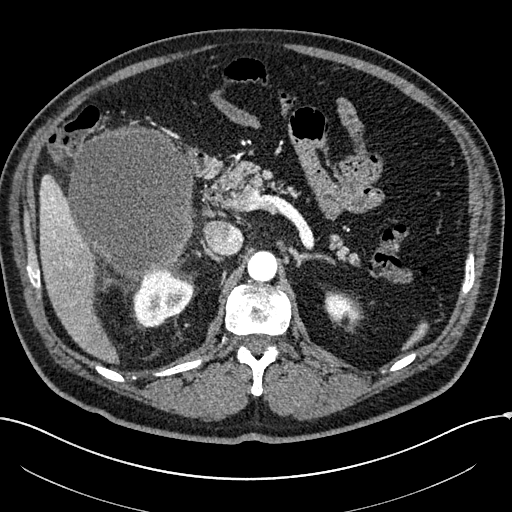
Abdominal CT with intravenous contrast, arterial phase, axial plane, 100 kVp, kernel I30f. Slice 157/304 from the bottom of the scan; thickness 2.00 mm; pixel size 0.809 mm.
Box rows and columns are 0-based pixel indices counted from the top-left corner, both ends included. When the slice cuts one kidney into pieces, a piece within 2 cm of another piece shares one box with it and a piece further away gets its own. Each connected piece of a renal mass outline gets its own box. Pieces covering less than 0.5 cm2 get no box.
Three boxes on this slice (two kidney boxes and one renal mass box), listed by box centre from the image's left to its right. (1) Right renal mass at rows 125–278, columns 66–193 (outlined area 15,302 px, about 100.0 cm2). (2) Right kidney at rows 267–327, columns 128–193 (outlined area 2,766 px, about 18.1 cm2). (3) Left kidney at rows 293–319, columns 324–356 (outlined area 700 px, about 4.6 cm2).